One axial slice (477 of 705, counting up from the lowest) of an arterial-phase abdominal CT acquired with 120 kVp, kernel I30f; each pixel is 0.703 mm and the slice is 1.00 mm thick.
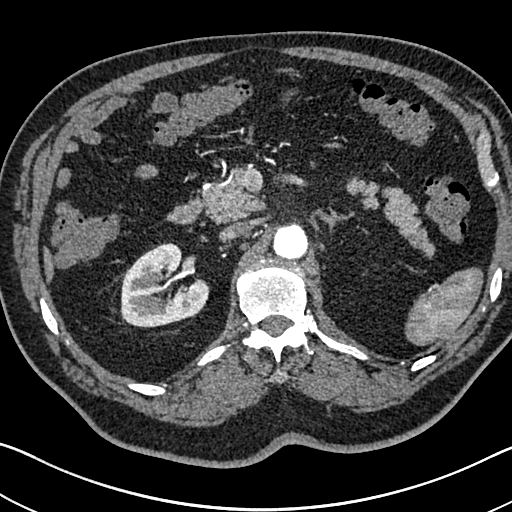
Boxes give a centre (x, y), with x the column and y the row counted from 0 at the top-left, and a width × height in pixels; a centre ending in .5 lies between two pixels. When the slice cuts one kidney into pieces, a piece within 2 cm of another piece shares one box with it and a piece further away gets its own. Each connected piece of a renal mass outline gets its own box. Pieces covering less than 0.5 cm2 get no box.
Box centre (164.5, 285), 90 × 85 pixels: right kidney (outlined area 5,345 px, about 26.4 cm2). No renal mass is outlined on this slice.